Abdominal CT with intravenous contrast, arterial phase, axial plane, 120 kVp, kernel STANDARD. Slice 204/349 from the bottom of the scan; thickness 1.25 mm; pixel size 0.742 mm.
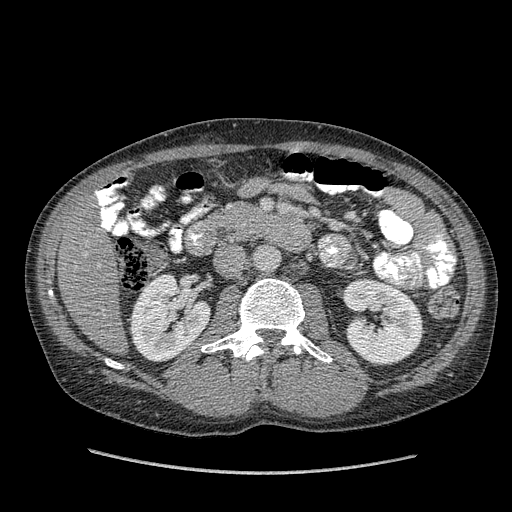
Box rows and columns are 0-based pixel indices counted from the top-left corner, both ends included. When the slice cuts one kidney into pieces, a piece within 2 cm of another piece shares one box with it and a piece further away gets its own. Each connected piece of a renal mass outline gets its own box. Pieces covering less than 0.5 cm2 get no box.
Two kidney boxes on this slice; by box centre, from the image's left to its right: (1) Right kidney, box rows 273–361, columns 129–211 (outlined area 5,148 px, about 28.4 cm2). (2) Box rows 279–364, columns 342–424: left kidney (outlined area 5,288 px, about 29.1 cm2). This slice carries no renal mass outline.